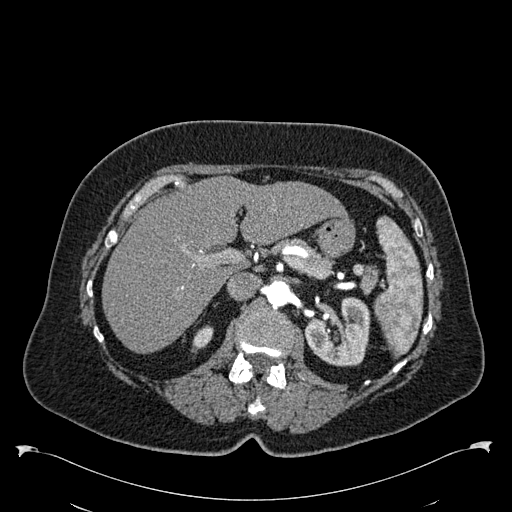
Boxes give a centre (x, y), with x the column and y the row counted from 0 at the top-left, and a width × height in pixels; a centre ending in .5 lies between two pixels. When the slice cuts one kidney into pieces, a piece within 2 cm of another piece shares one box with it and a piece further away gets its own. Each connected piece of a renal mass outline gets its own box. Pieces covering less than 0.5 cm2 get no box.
Arterial-phase contrast-enhanced abdominal CT, axial slice 385 of 538 (counted from the lowest slice); 1.00 mm thick, 0.811 mm per pixel. Two kidney boxes on this slice; by box centre, from the image's left to its right: (1) Right kidney in a box with centre (202, 339), 23 × 29 pixels (outlined area 394 px, about 2.6 cm2). (2) Box centre (337, 331.5), 67 × 70 pixels: left kidney (outlined area 3,370 px, about 22.1 cm2). This slice carries no renal mass outline.
Acquired at 120 kVp and reconstructed with the B30f kernel.